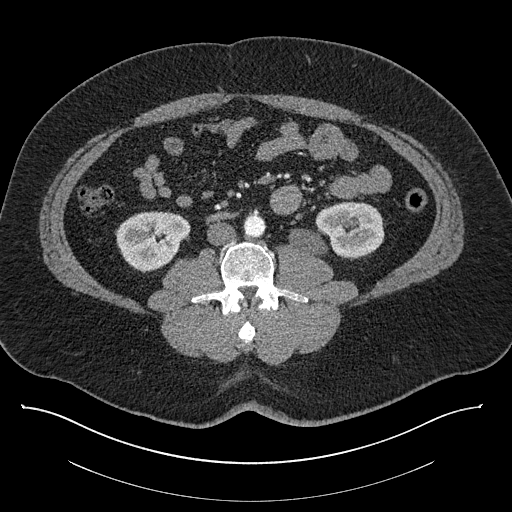
One axial slice (403 of 787, counting up from the lowest) of a contrast-enhanced abdominal CT acquired with 140 kVp, kernel I30f; each pixel is 0.910 mm and the slice is 1.00 mm thick.
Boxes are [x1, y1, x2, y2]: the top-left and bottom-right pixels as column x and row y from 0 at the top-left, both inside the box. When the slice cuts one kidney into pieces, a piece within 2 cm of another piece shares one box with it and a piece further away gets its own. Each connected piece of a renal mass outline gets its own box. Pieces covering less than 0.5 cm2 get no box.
Two kidney boxes on this slice; by box centre, from the image's left to its right: (1) Right kidney at [116, 211, 190, 272] (outlined area 3,375 px, about 28.0 cm2). (2) Box [288, 201, 384, 258]: left kidney (outlined area 3,748 px, about 31.0 cm2). This slice carries no renal mass outline.